Arterial-phase contrast-enhanced abdominal CT, axial slice 133 of 186 (counted from the lowest slice); tube voltage 120 kVp, convolution kernel STANDARD; slices 2.50 mm thick, 0.742 mm per pixel.
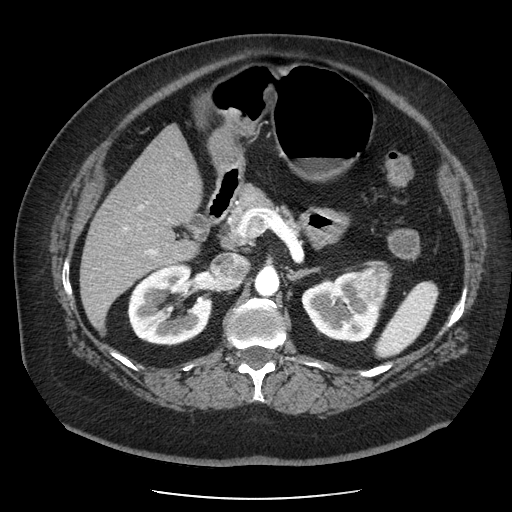
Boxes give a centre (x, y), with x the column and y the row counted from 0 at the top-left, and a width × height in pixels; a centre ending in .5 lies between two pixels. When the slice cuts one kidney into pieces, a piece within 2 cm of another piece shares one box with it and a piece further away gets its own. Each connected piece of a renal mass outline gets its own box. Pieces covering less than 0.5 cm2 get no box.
Three boxes on this slice (two kidney boxes and one renal mass box), listed by box centre from the image's left to its right. (1) Right kidney, box centre (169.5, 305), 86 × 83 pixels (outlined area 5,203 px, about 28.7 cm2). (2) Left kidney in a box with centre (342.5, 305.5), 84 × 72 pixels (outlined area 3,621 px, about 19.9 cm2). (3) Box centre (371.5, 284.5), 42 × 50 pixels: left renal mass (outlined area 1,405 px, about 7.7 cm2).